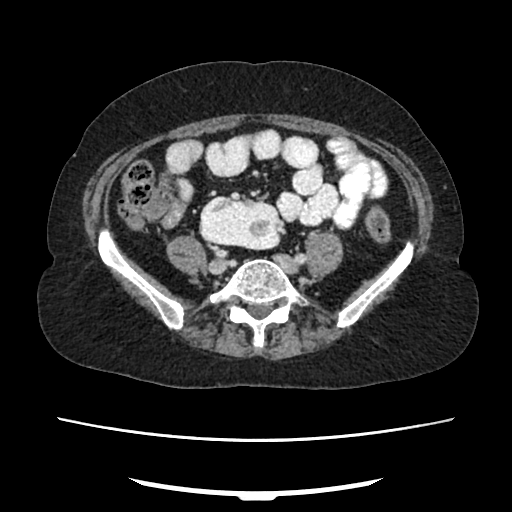
Axial slice 87 of 207 of a contrast-enhanced abdominal CT in the arterial phase (slice 1 is the lowest), 120 kVp, kernel FC18; 2.00 mm slice thickness and 0.741 mm pixels.
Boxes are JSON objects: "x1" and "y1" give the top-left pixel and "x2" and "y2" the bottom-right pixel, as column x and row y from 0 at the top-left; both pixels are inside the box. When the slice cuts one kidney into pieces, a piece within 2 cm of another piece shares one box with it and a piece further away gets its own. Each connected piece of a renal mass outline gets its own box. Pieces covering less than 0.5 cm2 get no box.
Right kidney at {"x1": 199, "y1": 195, "x2": 282, "y2": 249} (outlined area 3,709 px, about 20.4 cm2). No renal mass is outlined on this slice.